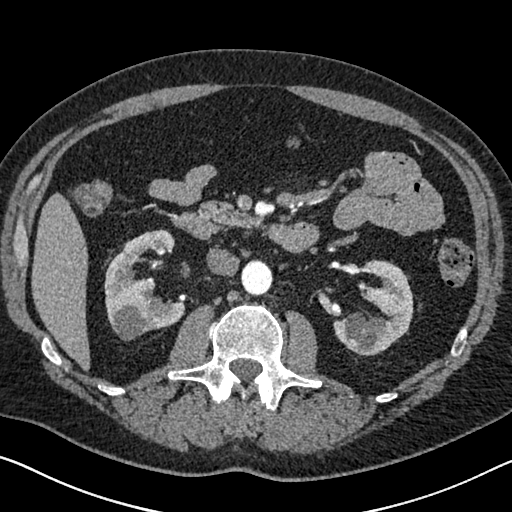
Axial slice 385 of 626 of a contrast-enhanced abdominal CT in the arterial phase (slice 1 is the lowest), 120 kVp, kernel I30f; 1.00 mm slice thickness and 0.703 mm pixels.
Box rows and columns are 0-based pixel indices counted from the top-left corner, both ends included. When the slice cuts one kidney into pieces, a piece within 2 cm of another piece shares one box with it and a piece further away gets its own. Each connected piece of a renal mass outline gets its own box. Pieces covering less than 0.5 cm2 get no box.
Boxed on this slice (two kidney boxes), listed by box centre from the image's left to its right: (1) Right kidney at rows 229–340, columns 104–185 (outlined area 5,504 px, about 27.2 cm2). (2) Left kidney at rows 259–355, columns 332–413 (outlined area 4,688 px, about 23.2 cm2). No renal mass is outlined on this slice.